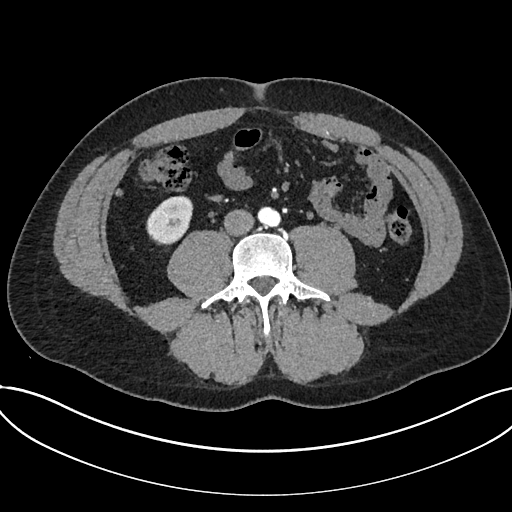
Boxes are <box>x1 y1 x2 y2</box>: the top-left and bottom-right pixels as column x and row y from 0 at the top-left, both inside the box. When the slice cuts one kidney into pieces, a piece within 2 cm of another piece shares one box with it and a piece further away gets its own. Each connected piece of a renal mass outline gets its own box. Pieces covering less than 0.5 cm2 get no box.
Arterial-phase contrast-enhanced abdominal CT, axial slice 280 of 735 (counted from the lowest slice); 1.00 mm thick, 0.789 mm per pixel. At <box>146 195 193 245</box>: kidney (outlined area 1,745 px, about 10.9 cm2). No renal mass is outlined on this slice.
Tube voltage 120 kVp; convolution kernel I30f.